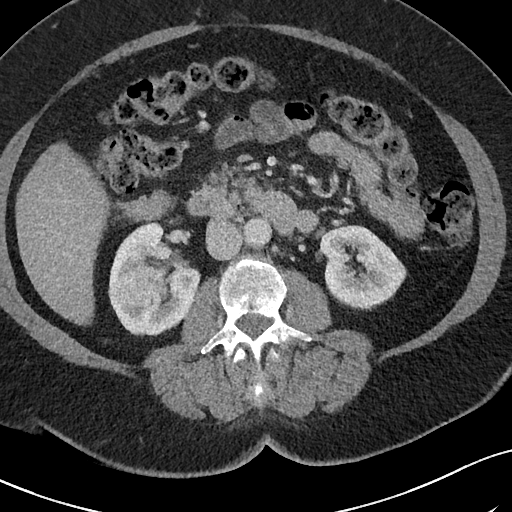
Abdominal CT with intravenous contrast, arterial phase, axial plane, 120 kVp, kernel I40f. Slice 38/69 from the bottom of the scan; thickness 3.00 mm; pixel size 0.664 mm.
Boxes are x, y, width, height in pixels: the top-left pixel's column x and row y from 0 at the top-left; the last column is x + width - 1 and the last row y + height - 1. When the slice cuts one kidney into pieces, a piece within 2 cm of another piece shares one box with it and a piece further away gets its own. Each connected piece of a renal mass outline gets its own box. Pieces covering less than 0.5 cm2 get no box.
Two kidney boxes and one renal mass box on this slice; by box centre, from the image's left to its right: (1) Box x 108, y 269, width 50, height 37: right renal mass (outlined area 1,379 px, about 6.1 cm2). (2) Right kidney at x 109, y 221, width 92, height 116 (outlined area 6,161 px, about 27.2 cm2). (3) Box x 319, y 225, width 88, height 86: left kidney (outlined area 5,344 px, about 23.6 cm2).